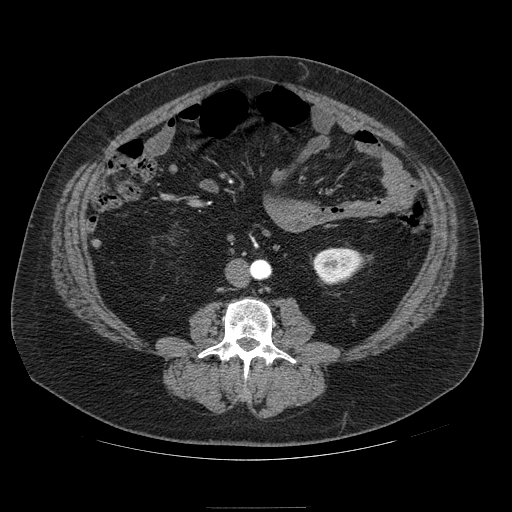
Arterial-phase contrast-enhanced abdominal CT, axial slice 25 of 121 (counted from the lowest slice); tube voltage 120 kVp, convolution kernel STANDARD; slices 2.50 mm thick, 0.861 mm per pixel.
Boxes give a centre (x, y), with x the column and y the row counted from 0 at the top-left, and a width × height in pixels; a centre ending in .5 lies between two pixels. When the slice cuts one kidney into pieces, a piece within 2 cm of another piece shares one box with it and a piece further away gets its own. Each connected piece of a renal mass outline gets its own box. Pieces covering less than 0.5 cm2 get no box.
Left kidney in a box with centre (338.5, 266), 52 × 37 pixels (outlined area 1,416 px, about 10.5 cm2). This slice carries no renal mass outline.